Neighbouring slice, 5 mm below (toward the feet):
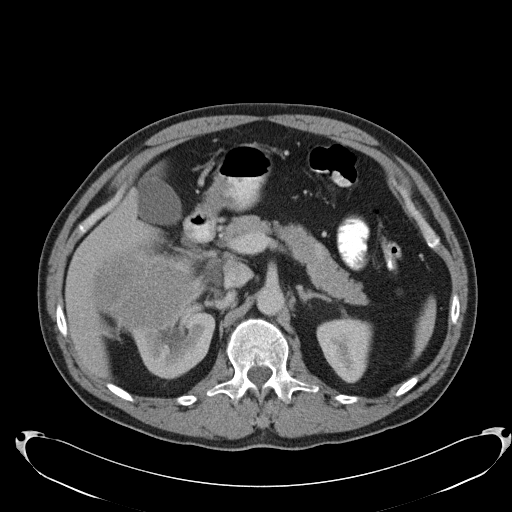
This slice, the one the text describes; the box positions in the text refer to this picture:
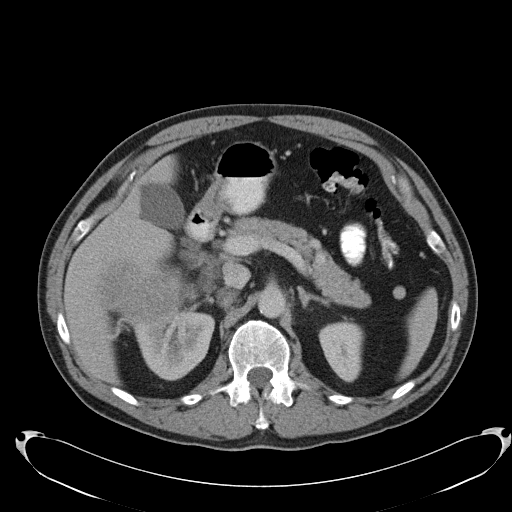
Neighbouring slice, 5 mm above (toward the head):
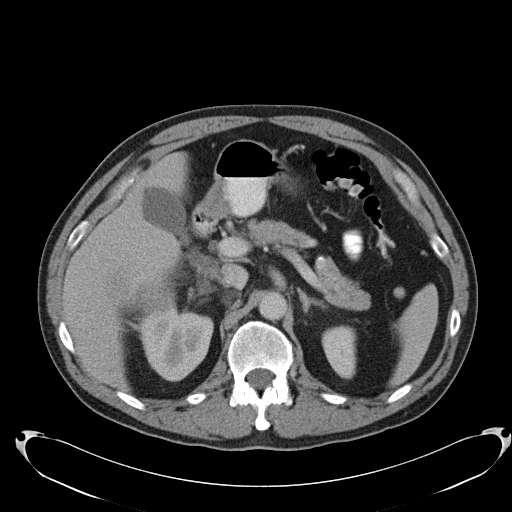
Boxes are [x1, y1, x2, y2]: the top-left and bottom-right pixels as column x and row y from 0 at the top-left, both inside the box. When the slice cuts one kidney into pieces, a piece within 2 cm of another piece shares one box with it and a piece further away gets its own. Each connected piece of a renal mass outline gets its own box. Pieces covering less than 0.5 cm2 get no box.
This is axial slice 73 of 103 (slice 1 is the lowest) of an abdominal CT with contrast; each pixel is 0.801 mm and the slice is 5.00 mm thick. Boxed on this slice (two kidney boxes and one renal mass box), listed by box centre from the image's left to its right: (1) Box [97, 260, 202, 325]: right renal mass (outlined area 4,685 px, about 30.0 cm2). (2) Right kidney at [131, 311, 214, 380] (outlined area 4,163 px, about 26.7 cm2). (3) Box [318, 321, 363, 382]: left kidney (outlined area 2,104 px, about 13.5 cm2). This slice is near the end of the right renal mass toward the head, so the slices 5 mm below and 5 mm above it are shown as well; the boxes refer to this slice only.
Acquired at 120 kVp and reconstructed with the B31f kernel.